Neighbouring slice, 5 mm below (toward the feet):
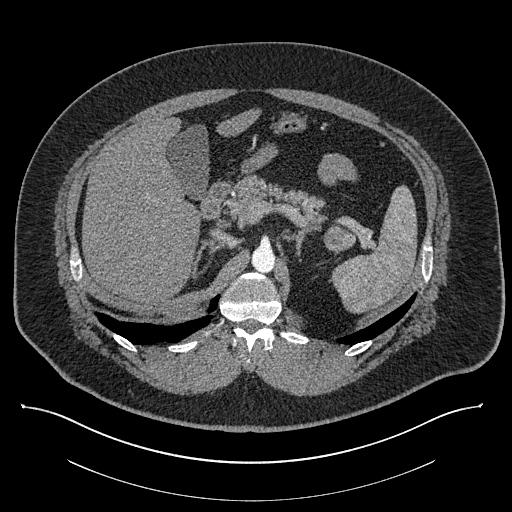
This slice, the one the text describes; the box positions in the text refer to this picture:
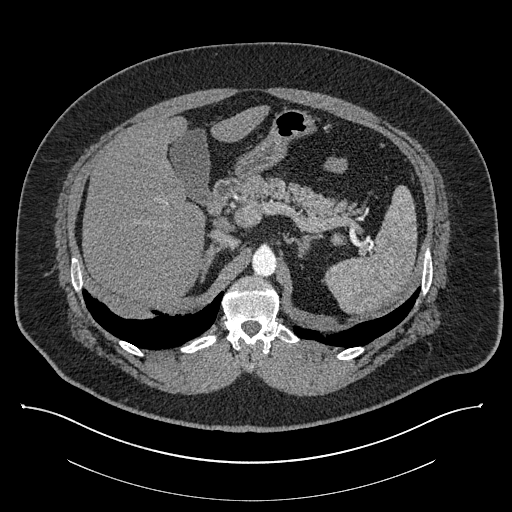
Abdominal CT with intravenous contrast, axial plane, 140 kVp, kernel I30f. Slice 587/787 from the bottom of the scan; thickness 1.00 mm; pixel size 0.910 mm.
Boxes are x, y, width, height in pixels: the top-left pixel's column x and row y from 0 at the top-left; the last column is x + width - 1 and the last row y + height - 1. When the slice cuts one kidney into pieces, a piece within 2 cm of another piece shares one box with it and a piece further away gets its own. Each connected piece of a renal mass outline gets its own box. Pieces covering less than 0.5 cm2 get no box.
Left renal mass, box x 330, y 233, width 17, height 13 (outlined area 166 px, about 1.4 cm2); no kidney outline appears on this slice, but the same outlined renal mass comes within 1 cm of the kidney on another slice. This slice is near the end of the left renal mass toward the head, so the slice 5 mm below it is shown as well; the boxes refer to this slice only.